Axial slice 423 of 1059 of a contrast-enhanced abdominal CT in the arterial phase (slice 1 is the lowest), 100 kVp, kernel I30f; 1.00 mm slice thickness and 0.811 mm pixels.
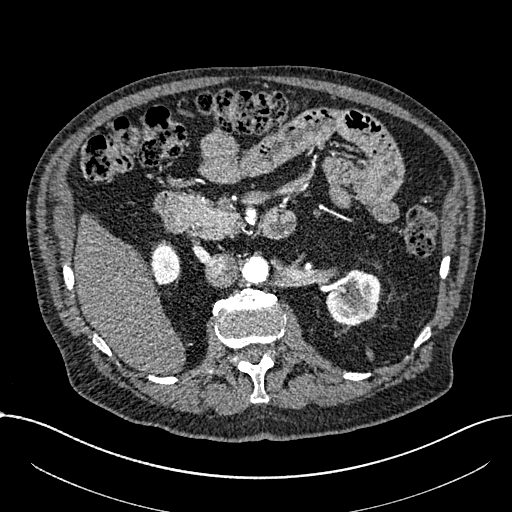
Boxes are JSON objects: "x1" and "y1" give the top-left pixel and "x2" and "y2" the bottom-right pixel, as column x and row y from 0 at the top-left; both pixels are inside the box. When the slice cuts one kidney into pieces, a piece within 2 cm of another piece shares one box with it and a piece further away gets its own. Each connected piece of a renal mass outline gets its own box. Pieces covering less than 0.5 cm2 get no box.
Boxed on this slice (two kidney boxes), listed by box centre from the image's left to its right: (1) Right part of the midline-crossing kidney at {"x1": 151, "y1": 242, "x2": 180, "y2": 285} (outlined area 1,016 px, about 6.7 cm2). (2) Left part of the midline-crossing kidney at {"x1": 326, "y1": 269, "x2": 380, "y2": 325} (outlined area 2,401 px, about 15.8 cm2). No renal mass outline on this slice.